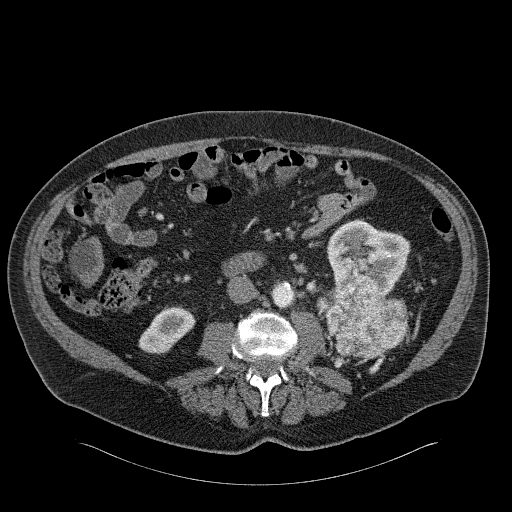
One axial slice (90 of 326, counting up from the lowest) of an arterial-phase abdominal CT acquired with 120 kVp, kernel B31f; each pixel is 0.963 mm and the slice is 2.00 mm thick.
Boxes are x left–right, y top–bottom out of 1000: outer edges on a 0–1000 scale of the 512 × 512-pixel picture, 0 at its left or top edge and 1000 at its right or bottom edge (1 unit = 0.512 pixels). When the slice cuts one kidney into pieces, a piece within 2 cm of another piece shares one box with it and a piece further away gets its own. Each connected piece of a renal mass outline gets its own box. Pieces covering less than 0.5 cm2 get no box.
Three boxes on this slice (two kidney boxes and one renal mass box), listed by box centre from the image's left to its right. (1) Right kidney at x 270–383, y 598–693 out of 1000 (outlined area 1,745 px, about 16.2 cm2). (2) Left renal mass at x 623–795, y 537–703 out of 1000 (outlined area 5,196 px, about 48.2 cm2). (3) Left kidney, box x 637–803, y 430–578 out of 1000 (outlined area 4,290 px, about 39.8 cm2).